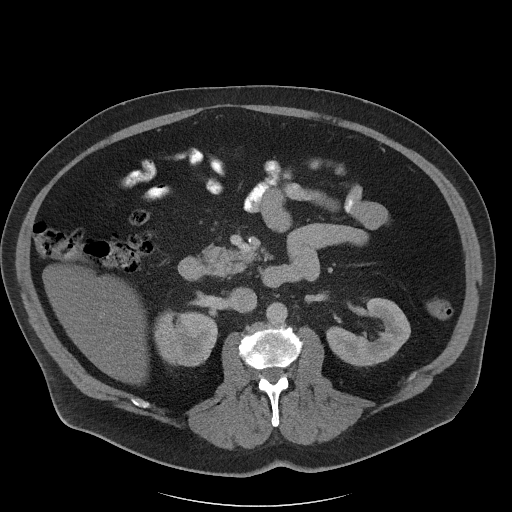
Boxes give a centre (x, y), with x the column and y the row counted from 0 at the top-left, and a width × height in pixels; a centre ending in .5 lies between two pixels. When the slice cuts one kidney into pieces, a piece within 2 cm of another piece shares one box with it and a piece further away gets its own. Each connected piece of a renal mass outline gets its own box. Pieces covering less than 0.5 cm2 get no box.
This is axial slice 62 of 102 (slice 1 is the lowest) of an abdominal CT with contrast; each pixel is 0.977 mm and the slice is 5.00 mm thick. Two kidney boxes on this slice; by box centre, from the image's left to its right: (1) Right kidney, box centre (185, 337.5), 65 × 58 pixels (outlined area 2,961 px, about 28.2 cm2). (2) Left kidney in a box with centre (368, 331.5), 85 × 68 pixels (outlined area 3,282 px, about 31.3 cm2). No renal mass is outlined on this slice.
Tube voltage 120 kVp; convolution kernel I40f.